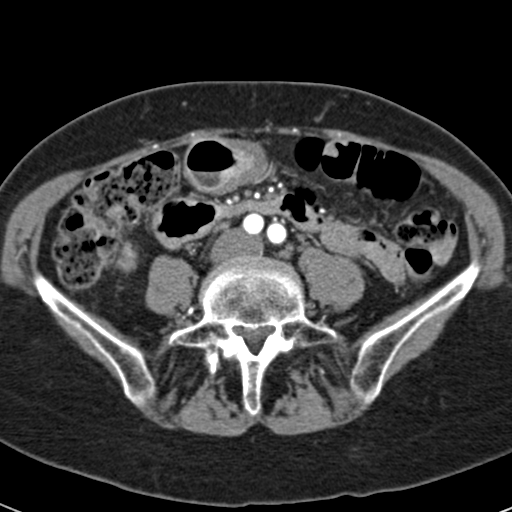
Arterial-phase contrast-enhanced abdominal CT, axial slice 6 of 53 (counted from the lowest slice); tube voltage 120 kVp, convolution kernel B30f; slices 3.00 mm thick, 0.547 mm per pixel.
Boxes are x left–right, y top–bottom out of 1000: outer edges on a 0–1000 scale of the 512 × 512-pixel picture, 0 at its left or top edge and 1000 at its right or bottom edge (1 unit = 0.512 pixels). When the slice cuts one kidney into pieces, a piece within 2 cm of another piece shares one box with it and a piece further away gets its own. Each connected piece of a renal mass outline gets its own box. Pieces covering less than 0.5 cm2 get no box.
Right kidney at x 221–270, y 469–535 out of 1000 (outlined area 574 px, about 1.7 cm2). This slice carries no renal mass outline.